One axial slice (309 of 673, counting up from the lowest) of an arterial-phase abdominal CT acquired with 120 kVp, kernel I30f; each pixel is 0.855 mm and the slice is 1.00 mm thick.
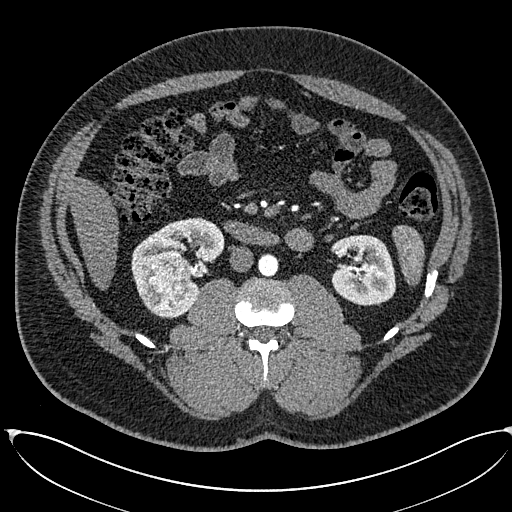
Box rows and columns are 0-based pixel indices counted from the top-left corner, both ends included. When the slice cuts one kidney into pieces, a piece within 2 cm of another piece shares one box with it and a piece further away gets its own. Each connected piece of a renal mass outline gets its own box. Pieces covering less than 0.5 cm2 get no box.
Three boxes on this slice (two kidney boxes and one renal mass box), listed by box centre from the image's left to its right. (1) Right renal mass, box rows 251–310, columns 147–191 (outlined area 2,242 px, about 16.4 cm2). (2) Box rows 217–317, columns 131–224: right kidney (outlined area 4,113 px, about 30.1 cm2). (3) Left kidney at rows 235–305, columns 330–395 (outlined area 3,693 px, about 27.0 cm2).